Axial slice 148 of 1059 of a contrast-enhanced abdominal CT in the arterial phase (slice 1 is the lowest), 100 kVp, kernel I30f; 1.00 mm slice thickness and 0.811 mm pixels.
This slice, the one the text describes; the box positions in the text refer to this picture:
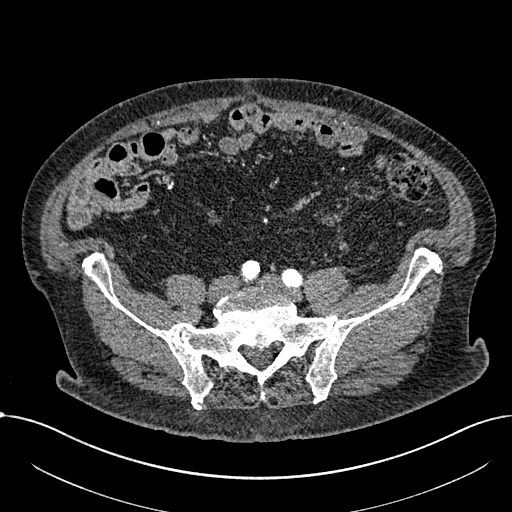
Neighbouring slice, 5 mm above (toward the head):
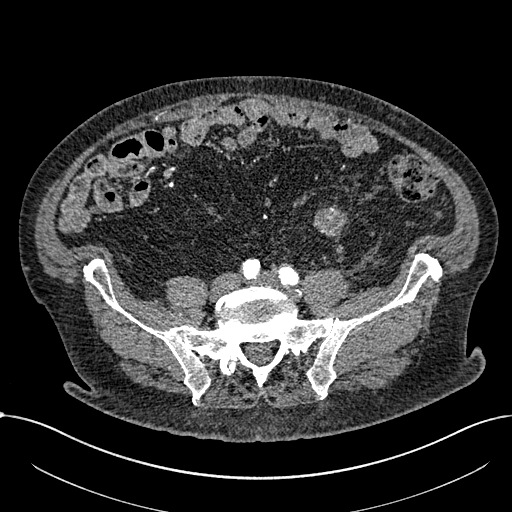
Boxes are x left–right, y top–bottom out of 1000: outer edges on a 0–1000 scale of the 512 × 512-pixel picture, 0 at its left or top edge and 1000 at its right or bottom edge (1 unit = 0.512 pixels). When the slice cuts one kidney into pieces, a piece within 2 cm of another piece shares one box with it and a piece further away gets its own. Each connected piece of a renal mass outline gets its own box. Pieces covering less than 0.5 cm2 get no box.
Box x 627–650, y 420–438 out of 1000: renal mass (outlined area 83 px, about 0.5 cm2); this slice has no kidney outline, though on another slice the same outlined renal mass lies within 1 cm of the kidney. This slice lies near the end of a renal mass toward the feet; the slice 5 mm above it is shown too, and the boxes mark positions on this slice only.